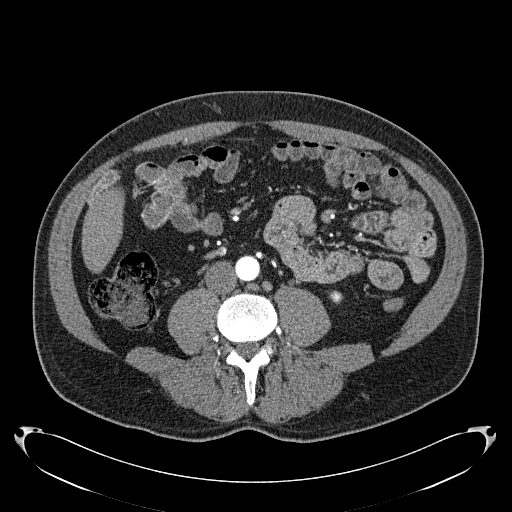
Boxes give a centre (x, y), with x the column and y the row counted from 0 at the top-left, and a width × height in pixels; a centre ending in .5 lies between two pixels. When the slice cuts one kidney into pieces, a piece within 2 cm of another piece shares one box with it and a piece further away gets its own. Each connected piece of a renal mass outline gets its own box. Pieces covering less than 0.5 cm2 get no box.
Slice 60/279 of a contrast-enhanced abdominal CT in the arterial phase, counting up from the lowest; pixel size 0.824 mm, slice thickness 2.00 mm. Left kidney, box centre (336, 296.5), 15 × 14 pixels (outlined area 145 px, about 1.0 cm2). No renal mass is outlined on this slice.
Scan settings: 120 kVp, B31f reconstruction kernel.